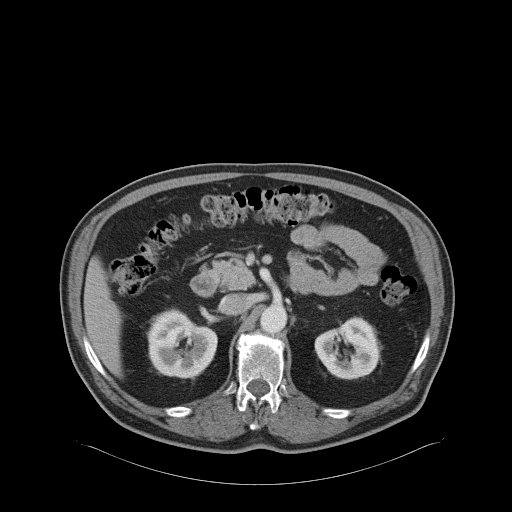
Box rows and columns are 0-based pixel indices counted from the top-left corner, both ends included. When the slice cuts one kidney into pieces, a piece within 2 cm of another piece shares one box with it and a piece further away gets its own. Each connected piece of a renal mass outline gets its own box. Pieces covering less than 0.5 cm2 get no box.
This is axial slice 46 of 68 (slice 1 is the lowest) of an arterial-phase abdominal CT with contrast; each pixel is 0.961 mm and the slice is 5.00 mm thick. Two kidney boxes on this slice; by box centre, from the image's left to its right: (1) Right kidney, box rows 308–377, columns 146–217 (outlined area 3,723 px, about 34.4 cm2). (2) Box rows 316–379, columns 314–380: left kidney (outlined area 3,053 px, about 28.2 cm2). No renal mass outline on this slice.
Acquired at 120 kVp and reconstructed with the B31f kernel.